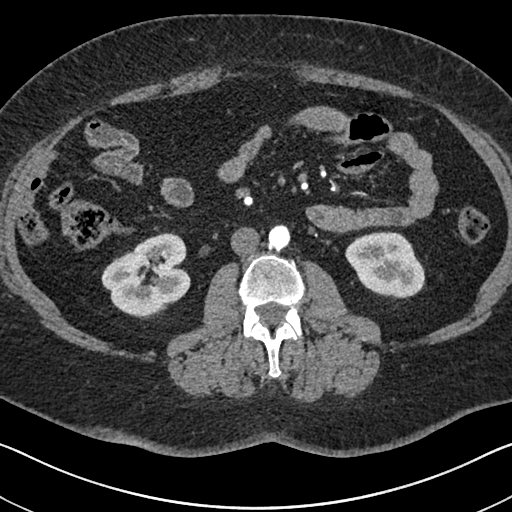
Arterial-phase contrast-enhanced abdominal CT, axial slice 332 of 591 (counted from the lowest slice); tube voltage 140 kVp, convolution kernel I30f; slices 1.00 mm thick, 0.703 mm per pixel.
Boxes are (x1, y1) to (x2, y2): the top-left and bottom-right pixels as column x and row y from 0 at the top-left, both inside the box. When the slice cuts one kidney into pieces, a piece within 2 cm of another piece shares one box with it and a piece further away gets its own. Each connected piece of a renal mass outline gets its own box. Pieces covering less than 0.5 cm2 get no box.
Boxed on this slice (two kidney boxes), listed by box centre from the image's left to its right: (1) Right kidney, box (101, 233) to (191, 318) (outlined area 5,309 px, about 26.2 cm2). (2) Box (345, 231) to (425, 298): left kidney (outlined area 3,984 px, about 19.7 cm2). No renal mass is outlined on this slice.